Abdominal CT with intravenous contrast, axial plane, 100 kVp, kernel I41f. Slice 67/92 from the bottom of the scan; thickness 3.00 mm; pixel size 0.684 mm.
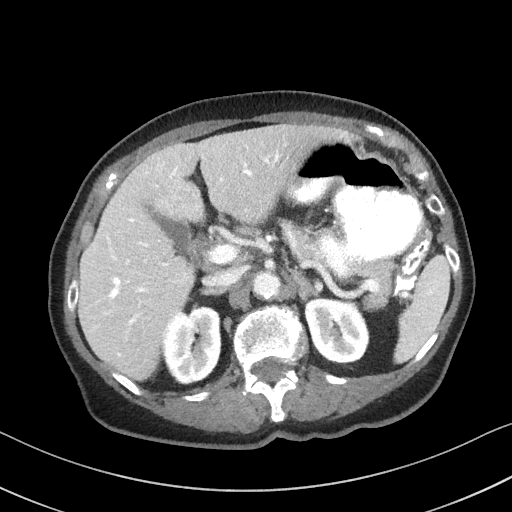
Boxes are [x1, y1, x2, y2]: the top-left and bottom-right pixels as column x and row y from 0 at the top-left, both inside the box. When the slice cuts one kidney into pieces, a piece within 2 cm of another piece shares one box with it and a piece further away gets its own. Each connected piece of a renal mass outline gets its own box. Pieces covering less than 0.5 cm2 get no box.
Boxed on this slice (two kidney boxes), listed by box centre from the image's left to its right: (1) Right kidney, box [162, 305, 221, 384] (outlined area 3,787 px, about 17.7 cm2). (2) Box [304, 298, 369, 362]: left kidney (outlined area 3,360 px, about 15.7 cm2). No renal mass is outlined on this slice.